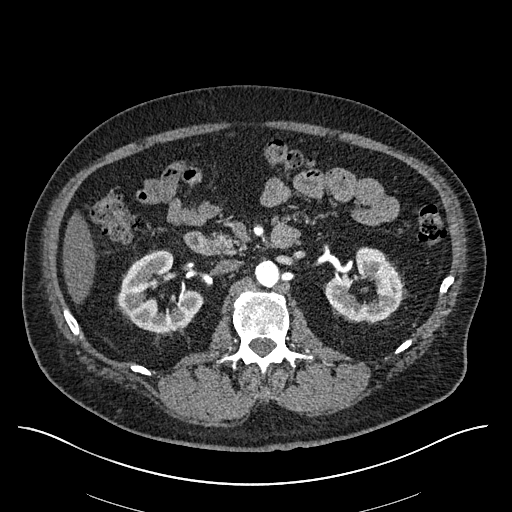
Axial slice 342 of 670 of a contrast-enhanced abdominal CT in the arterial phase (slice 1 is the lowest), 120 kVp, kernel I30f; 1.00 mm slice thickness and 0.861 mm pixels.
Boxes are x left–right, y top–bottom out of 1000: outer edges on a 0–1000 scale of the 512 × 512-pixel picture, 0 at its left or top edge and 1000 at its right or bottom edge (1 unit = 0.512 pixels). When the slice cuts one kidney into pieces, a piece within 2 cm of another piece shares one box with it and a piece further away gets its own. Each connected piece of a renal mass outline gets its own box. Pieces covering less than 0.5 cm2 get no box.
Boxed on this slice (two kidney boxes), listed by box centre from the image's left to its right: (1) Right kidney at x 229–396, y 486–650 out of 1000 (outlined area 4,295 px, about 31.9 cm2). (2) Box x 633–787, y 482–629 out of 1000: left kidney (outlined area 3,713 px, about 27.5 cm2). This slice carries no renal mass outline.